Arterial-phase contrast-enhanced abdominal CT, axial slice 343 of 670 (counted from the lowest slice); tube voltage 120 kVp, convolution kernel I30f; slices 1.00 mm thick, 0.861 mm per pixel.
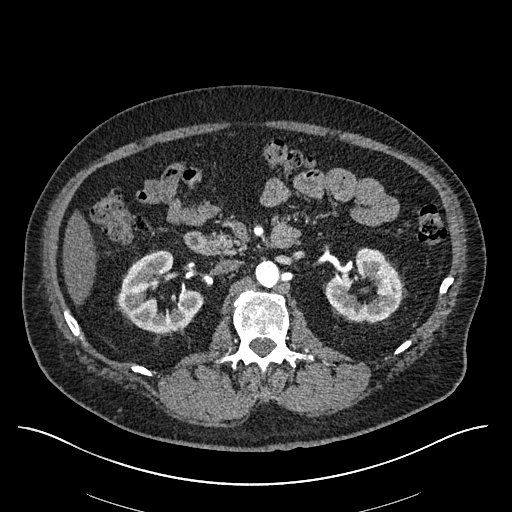
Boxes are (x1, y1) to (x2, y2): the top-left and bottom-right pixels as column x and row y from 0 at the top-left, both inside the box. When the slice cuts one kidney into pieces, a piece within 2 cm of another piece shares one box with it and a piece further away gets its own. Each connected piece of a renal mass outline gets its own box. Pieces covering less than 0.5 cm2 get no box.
Boxed on this slice (two kidney boxes), listed by box centre from the image's left to its right: (1) Right kidney from (117, 250) to (202, 332) (outlined area 4,215 px, about 31.3 cm2). (2) Left kidney, box (324, 247) to (402, 322) (outlined area 3,803 px, about 28.2 cm2). This slice carries no renal mass outline.